One axial slice (419 of 665, counting up from the lowest) of an arterial-phase abdominal CT acquired with 100 kVp, kernel I26f; each pixel is 0.828 mm and the slice is 1.00 mm thick.
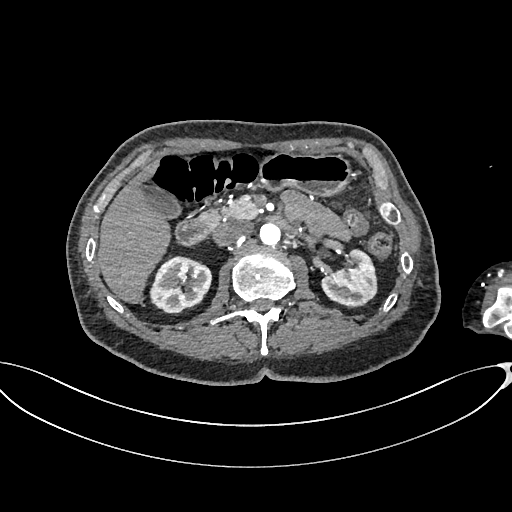
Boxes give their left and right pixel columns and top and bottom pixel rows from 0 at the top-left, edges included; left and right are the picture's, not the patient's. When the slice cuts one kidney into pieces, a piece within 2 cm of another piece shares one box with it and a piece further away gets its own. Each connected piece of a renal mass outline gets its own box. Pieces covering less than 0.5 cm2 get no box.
Two kidney boxes on this slice; by box centre, from the image's left to its right: (1) Box with left 149, top 256, right 212, bottom 314: right kidney (outlined area 2,723 px, about 18.7 cm2). (2) Left kidney in the box with left 321, top 250, right 377, bottom 308 (outlined area 2,308 px, about 15.8 cm2). No renal mass is outlined on this slice.